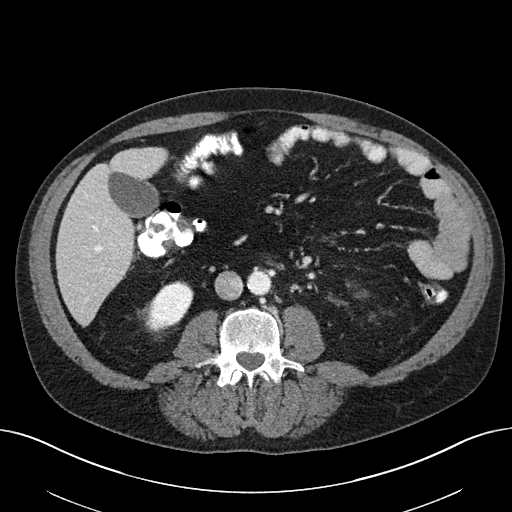
Contrast-enhanced abdominal CT, axial slice 95 of 163 (counted from the lowest slice); tube voltage 100 kVp, convolution kernel I40f; slices 3.00 mm thick, 0.799 mm per pixel.
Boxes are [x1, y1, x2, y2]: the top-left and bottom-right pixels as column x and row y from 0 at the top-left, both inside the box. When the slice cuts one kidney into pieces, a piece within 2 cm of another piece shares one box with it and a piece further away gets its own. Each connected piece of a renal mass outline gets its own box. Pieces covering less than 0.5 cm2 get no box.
Right kidney, box [143, 281, 193, 331] (outlined area 1,676 px, about 10.7 cm2). No renal mass outline on this slice.